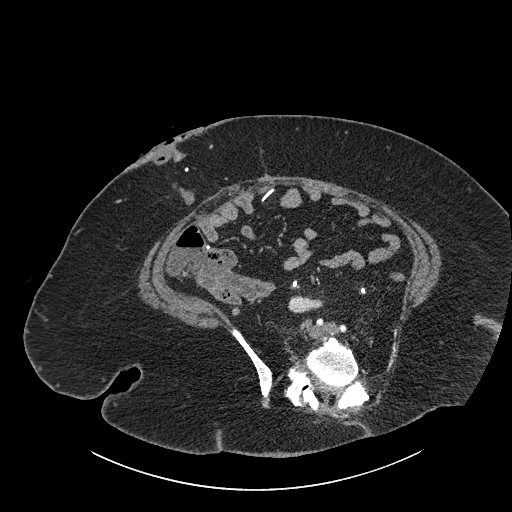
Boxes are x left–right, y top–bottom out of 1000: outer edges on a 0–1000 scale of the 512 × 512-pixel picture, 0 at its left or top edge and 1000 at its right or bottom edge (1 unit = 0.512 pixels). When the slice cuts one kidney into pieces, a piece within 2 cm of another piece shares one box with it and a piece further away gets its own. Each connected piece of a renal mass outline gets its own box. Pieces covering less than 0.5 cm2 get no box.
This is axial slice 382 of 834 (slice 1 is the lowest) of an abdominal CT with contrast; each pixel is 0.977 mm and the slice is 1.00 mm thick. Right part of the midline-crossing kidney at x 563–635, y 576–613 out of 1000 (outlined area 495 px, about 4.7 cm2). No renal mass is outlined on this slice.
Tube voltage 140 kVp; convolution kernel I30f.